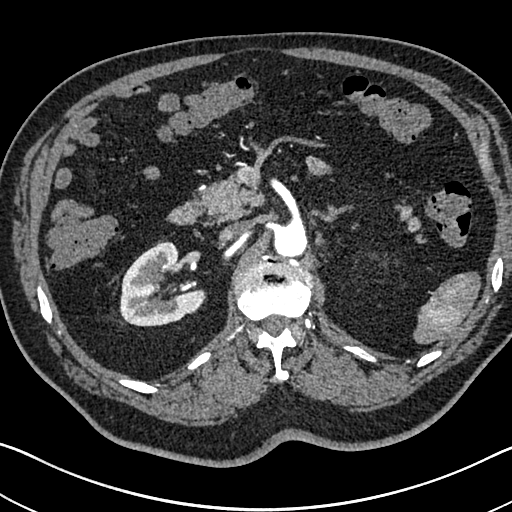
One axial slice (469 of 705, counting up from the lowest) of an arterial-phase abdominal CT acquired with 120 kVp, kernel I30f; each pixel is 0.703 mm and the slice is 1.00 mm thick.
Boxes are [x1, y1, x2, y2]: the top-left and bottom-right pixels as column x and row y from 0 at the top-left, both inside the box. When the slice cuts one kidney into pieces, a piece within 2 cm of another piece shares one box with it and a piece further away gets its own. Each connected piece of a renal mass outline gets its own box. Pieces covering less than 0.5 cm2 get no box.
Right kidney at [119, 241, 206, 326] (outlined area 4,909 px, about 24.3 cm2). No renal mass outline on this slice.